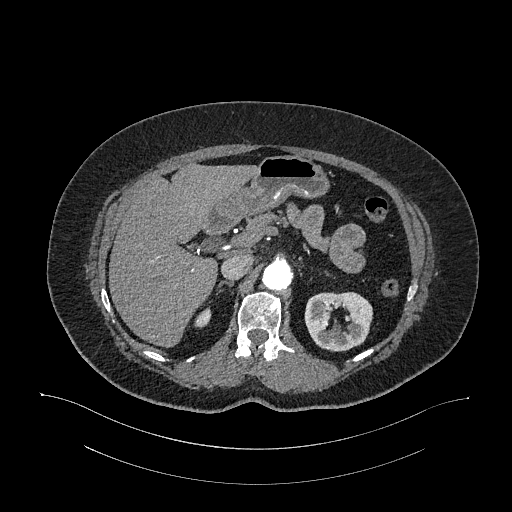
One axial slice (734 of 987, counting up from the lowest) of an arterial-phase abdominal CT acquired with 120 kVp, kernel I26f; each pixel is 0.977 mm and the slice is 1.00 mm thick.
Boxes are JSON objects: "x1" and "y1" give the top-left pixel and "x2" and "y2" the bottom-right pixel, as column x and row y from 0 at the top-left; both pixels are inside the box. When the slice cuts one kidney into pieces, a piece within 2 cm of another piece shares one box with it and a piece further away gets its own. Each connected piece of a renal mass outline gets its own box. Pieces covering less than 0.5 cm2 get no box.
Boxed on this slice (two kidney boxes), listed by box centre from the image's left to its right: (1) Right kidney, box {"x1": 194, "y1": 307, "x2": 211, "y2": 328} (outlined area 239 px, about 2.3 cm2). (2) Box {"x1": 304, "y1": 292, "x2": 372, "y2": 351}: left kidney (outlined area 3,154 px, about 30.1 cm2). No renal mass outline on this slice.